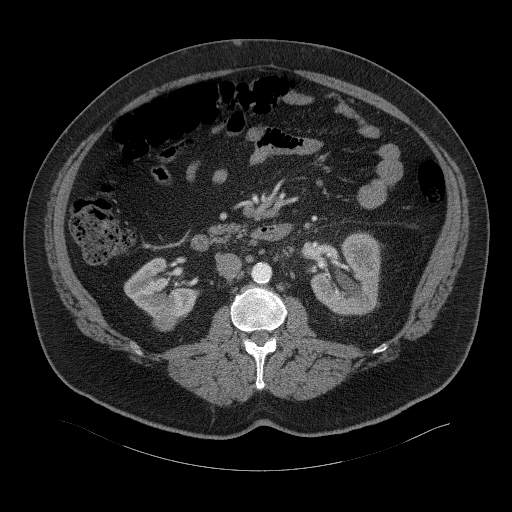
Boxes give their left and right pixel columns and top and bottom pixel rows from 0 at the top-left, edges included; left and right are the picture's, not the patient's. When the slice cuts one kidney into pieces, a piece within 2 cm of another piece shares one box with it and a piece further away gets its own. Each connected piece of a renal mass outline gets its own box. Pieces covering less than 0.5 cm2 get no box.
Contrast-enhanced abdominal CT, axial slice 26 of 94 (counted from the lowest slice); 3.00 mm thick, 0.977 mm per pixel. Boxed on this slice (two kidney boxes and one renal mass box), listed by box centre from the image's left to its right: (1) Right kidney, the box with left 124, top 257, right 197, bottom 321 (outlined area 2,773 px, about 26.4 cm2). (2) Right renal mass in the box with left 153, top 308, right 177, bottom 331 (outlined area 458 px, about 4.4 cm2). (3) Left kidney, the box with left 310, top 232, right 380, bottom 315 (outlined area 4,279 px, about 40.8 cm2).
Tube voltage 120 kVp; convolution kernel B41f.